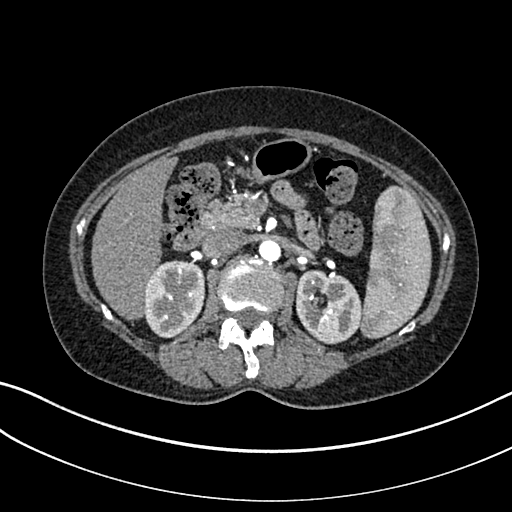
Axial slice 187 of 325 of a contrast-enhanced abdominal CT in the arterial phase (slice 1 is the lowest), 100 kVp, kernel I30f; 1.00 mm slice thickness and 0.703 mm pixels.
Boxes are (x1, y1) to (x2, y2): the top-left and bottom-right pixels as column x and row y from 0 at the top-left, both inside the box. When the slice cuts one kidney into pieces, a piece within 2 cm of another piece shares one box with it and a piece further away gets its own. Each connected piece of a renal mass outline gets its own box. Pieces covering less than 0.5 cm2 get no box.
Two kidney boxes on this slice; by box centre, from the image's left to its right: (1) Right kidney, box (143, 260) to (205, 338) (outlined area 3,830 px, about 18.9 cm2). (2) Left kidney from (295, 270) to (361, 344) (outlined area 3,833 px, about 18.9 cm2).